Arterial-phase contrast-enhanced abdominal CT, axial slice 404 of 532 (counted from the lowest slice); tube voltage 120 kVp, convolution kernel B30f; slices 1.00 mm thick, 0.713 mm per pixel.
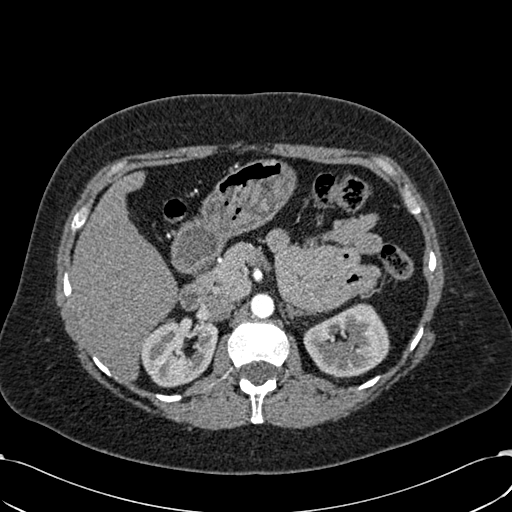
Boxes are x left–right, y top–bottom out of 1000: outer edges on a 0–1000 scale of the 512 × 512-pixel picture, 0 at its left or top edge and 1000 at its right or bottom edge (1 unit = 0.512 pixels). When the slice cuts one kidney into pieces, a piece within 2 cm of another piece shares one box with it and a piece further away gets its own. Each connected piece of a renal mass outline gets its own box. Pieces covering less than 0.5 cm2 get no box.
Two boxes on this slice (two kidney boxes), listed by box centre from the image's left to its right. (1) Box x 273–428, y 621–758 out of 1000: right kidney (outlined area 3,977 px, about 20.2 cm2). (2) Left kidney at x 592–764, y 592–738 out of 1000 (outlined area 4,579 px, about 23.3 cm2). This slice carries no renal mass outline.